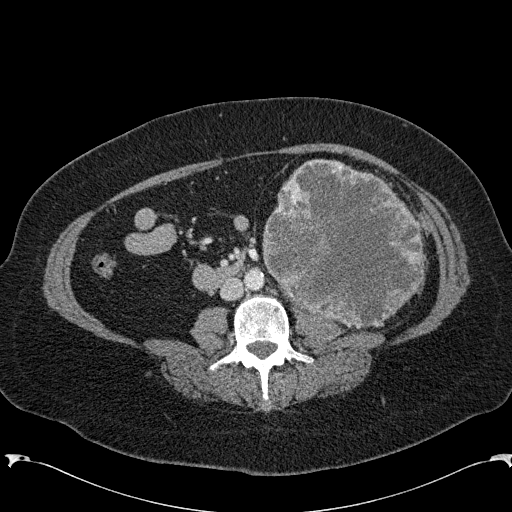
Abdominal CT with intravenous contrast, arterial phase, axial plane, 120 kVp, kernel B31f. Slice 81/285 from the bottom of the scan; thickness 2.00 mm; pixel size 0.762 mm.
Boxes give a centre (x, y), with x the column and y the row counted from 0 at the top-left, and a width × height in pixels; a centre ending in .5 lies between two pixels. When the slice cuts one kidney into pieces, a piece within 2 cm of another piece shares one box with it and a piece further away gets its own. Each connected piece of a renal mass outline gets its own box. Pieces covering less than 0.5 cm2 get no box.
Left renal mass in a box with centre (343.5, 244), 164 × 171 pixels (outlined area 20,682 px, about 120.0 cm2); this slice has no kidney outline, though on another slice the same outlined renal mass lies within 1 cm of the kidney.